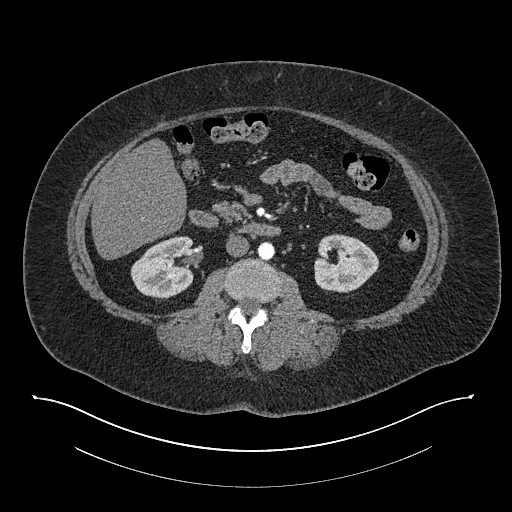
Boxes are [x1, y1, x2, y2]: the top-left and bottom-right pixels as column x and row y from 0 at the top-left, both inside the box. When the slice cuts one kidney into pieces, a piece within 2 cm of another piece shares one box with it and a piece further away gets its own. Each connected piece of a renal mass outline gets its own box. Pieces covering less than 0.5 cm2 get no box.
This is axial slice 427 of 673 (slice 1 is the lowest) of an arterial-phase abdominal CT with contrast; each pixel is 0.957 mm and the slice is 1.00 mm thick. Two kidney boxes on this slice; by box centre, from the image's left to its right: (1) Box [130, 236, 194, 298]: right kidney (outlined area 3,059 px, about 28.0 cm2). (2) Left kidney, box [314, 234, 379, 292] (outlined area 2,902 px, about 26.6 cm2). This slice carries no renal mass outline.
Acquired at 140 kVp and reconstructed with the I30f kernel.